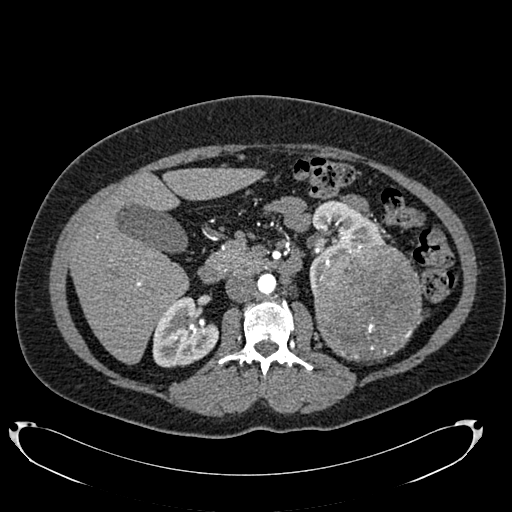
Abdominal CT with intravenous contrast, arterial phase, axial plane, 120 kVp, kernel B20f. Slice 432/634 from the bottom of the scan; thickness 1.00 mm; pixel size 0.838 mm.
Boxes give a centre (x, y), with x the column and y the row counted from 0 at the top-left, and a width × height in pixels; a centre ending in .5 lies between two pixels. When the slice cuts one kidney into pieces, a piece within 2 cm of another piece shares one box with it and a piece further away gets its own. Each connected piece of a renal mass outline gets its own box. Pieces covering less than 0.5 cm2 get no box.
Boxed on this slice (two kidney boxes and one renal mass box), listed by box centre from the image's left to its right: (1) Right kidney in a box with centre (185, 331.5), 67 × 72 pixels (outlined area 3,435 px, about 24.1 cm2). (2) Left kidney in a box with centre (346.5, 245.5), 78 × 92 pixels (outlined area 2,877 px, about 20.2 cm2). (3) Left renal mass in a box with centre (367.5, 301.5), 112 × 120 pixels (outlined area 10,699 px, about 75.1 cm2).